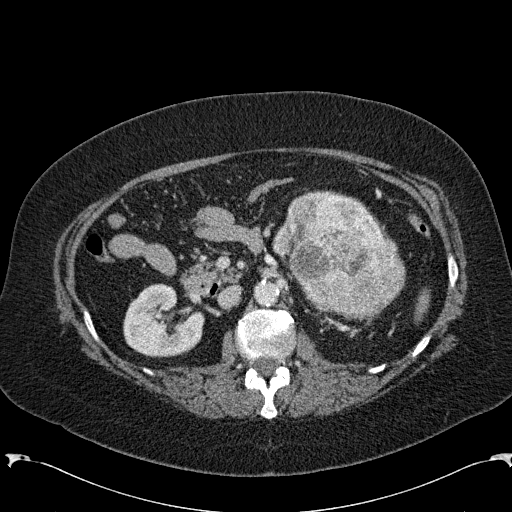
Axial slice 133 of 285 of a contrast-enhanced abdominal CT in the arterial phase (slice 1 is the lowest), 120 kVp, kernel B31f; 2.00 mm slice thickness and 0.762 mm pixels.
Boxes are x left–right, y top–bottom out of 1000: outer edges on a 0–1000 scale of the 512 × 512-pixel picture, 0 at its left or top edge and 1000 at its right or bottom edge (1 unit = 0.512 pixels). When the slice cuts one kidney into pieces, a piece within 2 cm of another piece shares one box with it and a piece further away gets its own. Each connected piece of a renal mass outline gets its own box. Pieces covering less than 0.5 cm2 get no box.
Two kidney boxes and one renal mass box on this slice; by box centre, from the image's left to its right: (1) Box x 240–398, y 553–699 out of 1000: right kidney (outlined area 4,385 px, about 25.4 cm2). (2) Left kidney, box x 570–691, y 371–393 out of 1000 (outlined area 288 px, about 1.7 cm2). (3) Left renal mass at x 531–793, y 381–627 out of 1000 (outlined area 11,858 px, about 68.8 cm2).